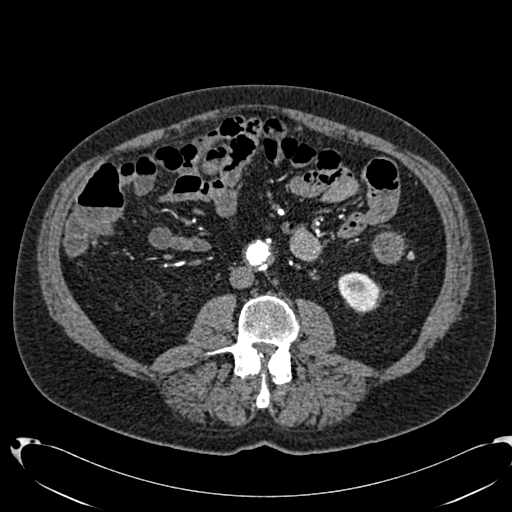
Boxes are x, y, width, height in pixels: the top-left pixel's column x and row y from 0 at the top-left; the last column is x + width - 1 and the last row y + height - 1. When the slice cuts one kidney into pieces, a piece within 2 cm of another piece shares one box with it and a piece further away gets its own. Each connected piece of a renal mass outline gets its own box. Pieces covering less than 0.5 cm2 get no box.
This is axial slice 323 of 553 (slice 1 is the lowest) of an arterial-phase abdominal CT with contrast; each pixel is 0.773 mm and the slice is 1.00 mm thick. Box x 337, y 272, width 43, height 41: left kidney (outlined area 1,309 px, about 7.8 cm2). This slice carries no renal mass outline.
Tube voltage 120 kVp; convolution kernel B20f.